One axial slice (81 of 470, counting up from the lowest) of an arterial-phase abdominal CT acquired with 120 kVp, kernel I26f; each pixel is 0.938 mm and the slice is 1.00 mm thick.
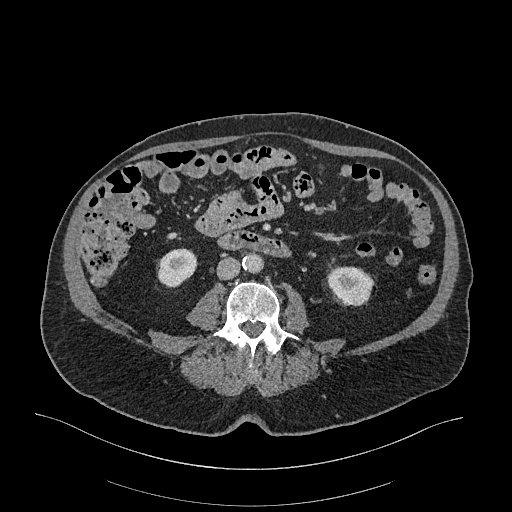
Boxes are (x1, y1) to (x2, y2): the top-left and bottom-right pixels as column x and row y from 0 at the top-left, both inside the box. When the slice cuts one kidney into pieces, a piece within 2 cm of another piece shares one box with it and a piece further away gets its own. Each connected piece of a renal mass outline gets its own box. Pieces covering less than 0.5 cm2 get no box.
Two boxes on this slice (two kidney boxes), listed by box centre from the image's left to its right. (1) Right kidney, box (157, 248) to (197, 287) (outlined area 1,214 px, about 10.7 cm2). (2) Left kidney from (326, 260) to (374, 306) (outlined area 1,541 px, about 13.5 cm2). This slice carries no renal mass outline.